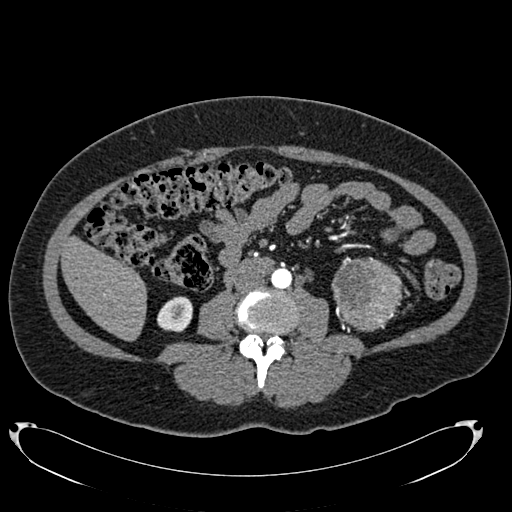
One axial slice (331 of 634, counting up from the lowest) of an arterial-phase abdominal CT acquired with 120 kVp, kernel B20f; each pixel is 0.838 mm and the slice is 1.00 mm thick.
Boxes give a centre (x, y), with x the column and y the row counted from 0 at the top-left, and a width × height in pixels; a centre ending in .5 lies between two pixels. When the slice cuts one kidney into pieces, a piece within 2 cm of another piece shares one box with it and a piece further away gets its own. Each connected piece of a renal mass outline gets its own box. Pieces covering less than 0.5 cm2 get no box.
One kidney box and one renal mass box on this slice; by box centre, from the image's left to its right: (1) Box centre (174.5, 314), 36 × 37 pixels: right kidney (outlined area 1,016 px, about 7.1 cm2). (2) Left renal mass, box centre (366.5, 294), 72 × 75 pixels (outlined area 4,127 px, about 29.0 cm2); it sits over 1 cm from every kidney outline on this slice, but the same outlined renal mass comes within 1 cm of the kidney on another slice.